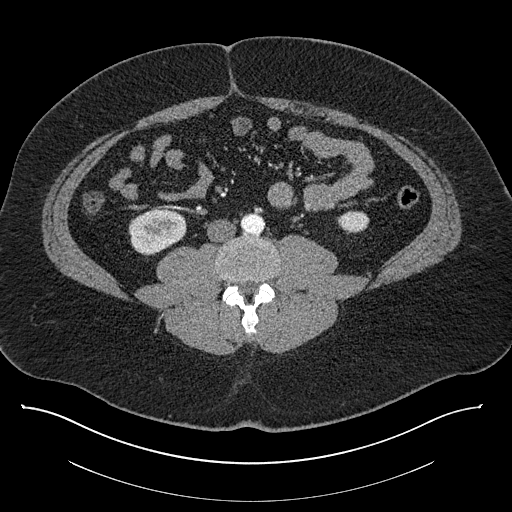
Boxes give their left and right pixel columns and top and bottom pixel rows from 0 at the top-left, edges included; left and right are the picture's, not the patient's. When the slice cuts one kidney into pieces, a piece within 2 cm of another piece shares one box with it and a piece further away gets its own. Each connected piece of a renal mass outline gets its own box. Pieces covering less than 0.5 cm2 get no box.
Slice 350/787 of a contrast-enhanced abdominal CT, counting up from the lowest; pixel size 0.910 mm, slice thickness 1.00 mm. Boxed on this slice (two kidney boxes), listed by box centre from the image's left to its right: (1) Box with left 128, top 207, right 186, bottom 254: right kidney (outlined area 2,104 px, about 17.4 cm2). (2) Left kidney in the box with left 337, top 210, right 369, bottom 234 (outlined area 583 px, about 4.8 cm2). This slice carries no renal mass outline.
Tube voltage 140 kVp; convolution kernel I30f.